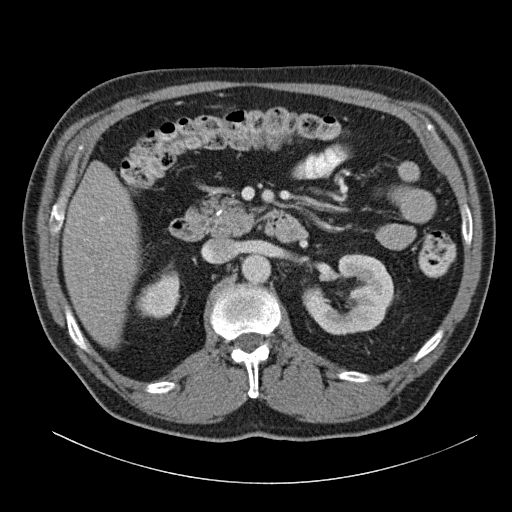
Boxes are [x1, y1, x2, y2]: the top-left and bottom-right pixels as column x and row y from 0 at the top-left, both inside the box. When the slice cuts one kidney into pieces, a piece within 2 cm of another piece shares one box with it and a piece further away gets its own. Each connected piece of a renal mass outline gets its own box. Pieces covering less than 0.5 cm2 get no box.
Arterial-phase contrast-enhanced abdominal CT, axial slice 76 of 140 (counted from the lowest slice); 5.00 mm thick, 0.754 mm per pixel. Two boxes on this slice (two kidney boxes), listed by box centre from the image's left to its right. (1) Box [137, 270, 179, 318]: right kidney (outlined area 1,463 px, about 8.3 cm2). (2) Left kidney, box [302, 253, 394, 335] (outlined area 4,769 px, about 27.1 cm2). This slice carries no renal mass outline.
Scan settings: 120 kVp, B31f reconstruction kernel.